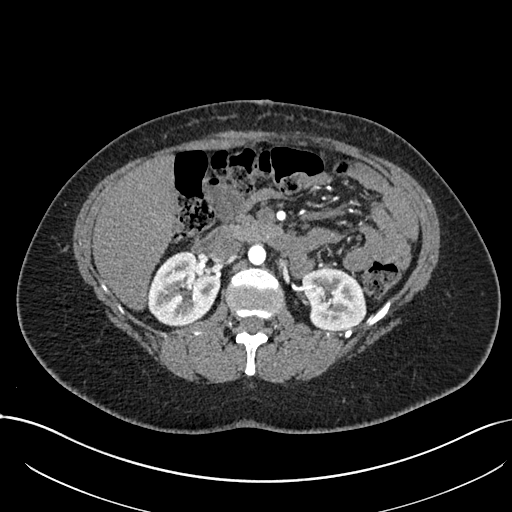
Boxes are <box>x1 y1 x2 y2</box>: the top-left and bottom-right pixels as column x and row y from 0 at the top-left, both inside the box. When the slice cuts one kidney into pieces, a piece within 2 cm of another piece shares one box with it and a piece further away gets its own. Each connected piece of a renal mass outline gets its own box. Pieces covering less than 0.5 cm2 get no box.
Arterial-phase contrast-enhanced abdominal CT, axial slice 435 of 738 (counted from the lowest slice); 1.00 mm thick, 0.789 mm per pixel. Two boxes on this slice (two kidney boxes), listed by box centre from the image's left to its right. (1) At <box>147 251 221 326</box>: right kidney (outlined area 4,108 px, about 25.6 cm2). (2) Left kidney: <box>302 267 366 330</box> (outlined area 3,199 px, about 19.9 cm2). No renal mass outline on this slice.
Acquired at 120 kVp and reconstructed with the I30f kernel.